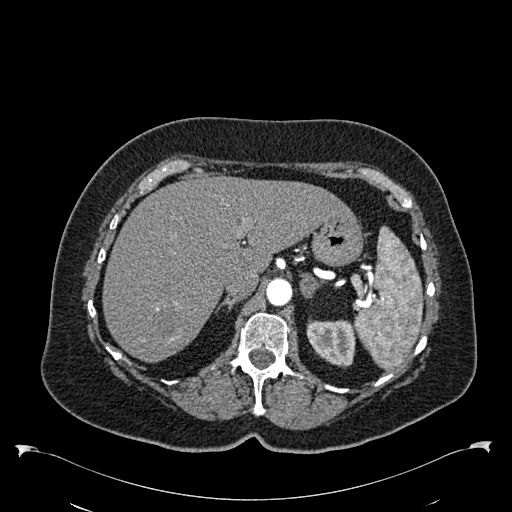
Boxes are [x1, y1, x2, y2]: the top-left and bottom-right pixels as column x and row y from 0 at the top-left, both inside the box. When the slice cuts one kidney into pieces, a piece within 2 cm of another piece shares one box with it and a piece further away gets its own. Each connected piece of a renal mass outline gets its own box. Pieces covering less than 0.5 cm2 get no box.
Arterial-phase contrast-enhanced abdominal CT, axial slice 424 of 538 (counted from the lowest slice); 1.00 mm thick, 0.811 mm per pixel. Left kidney, box [306, 319, 355, 367] (outlined area 1,868 px, about 12.3 cm2). This slice carries no renal mass outline.
Tube voltage 120 kVp; convolution kernel B30f.